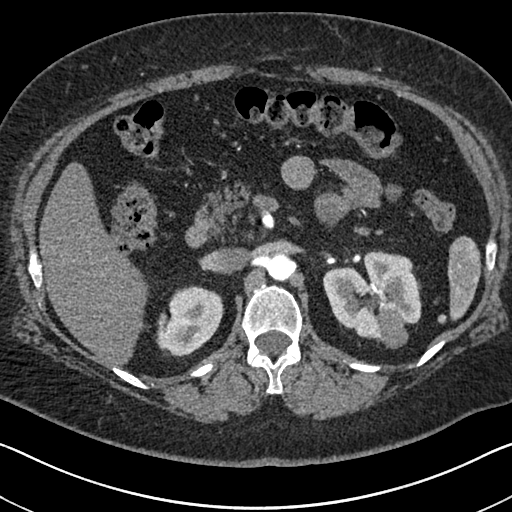
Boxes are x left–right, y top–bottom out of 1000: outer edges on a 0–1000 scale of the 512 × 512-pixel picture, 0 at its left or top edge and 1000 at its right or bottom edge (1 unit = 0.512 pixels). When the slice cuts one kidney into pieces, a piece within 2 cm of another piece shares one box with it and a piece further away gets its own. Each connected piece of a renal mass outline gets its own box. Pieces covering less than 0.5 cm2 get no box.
Slice 447/591 of a contrast-enhanced abdominal CT in the arterial phase, counting up from the lowest; pixel size 0.703 mm, slice thickness 1.00 mm. Boxed on this slice (two kidney boxes and one renal mass box), listed by box centre from the image's left to its right: (1) Right kidney, box x 305–438, y 557–697 out of 1000 (outlined area 3,505 px, about 17.3 cm2). (2) Left kidney, box x 631–824, y 488–668 out of 1000 (outlined area 5,864 px, about 29.0 cm2). (3) Left renal mass, box x 734–799, y 600–682 out of 1000 (outlined area 1,009 px, about 5.0 cm2).
Tube voltage 140 kVp; convolution kernel I30f.